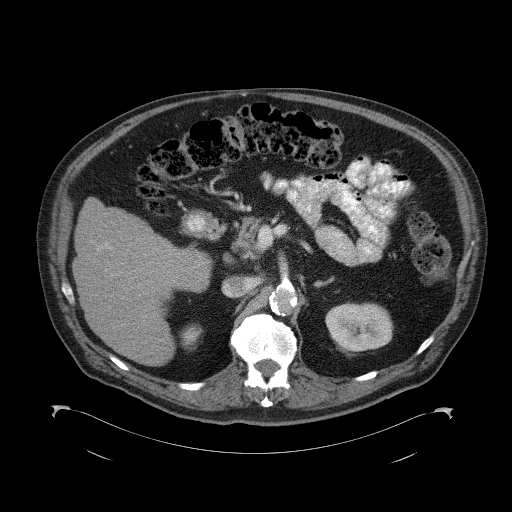
One axial slice (66 of 98, counting up from the lowest) of a contrast-enhanced abdominal CT acquired with 120 kVp, kernel B41f; each pixel is 0.965 mm and the slice is 5.00 mm thick.
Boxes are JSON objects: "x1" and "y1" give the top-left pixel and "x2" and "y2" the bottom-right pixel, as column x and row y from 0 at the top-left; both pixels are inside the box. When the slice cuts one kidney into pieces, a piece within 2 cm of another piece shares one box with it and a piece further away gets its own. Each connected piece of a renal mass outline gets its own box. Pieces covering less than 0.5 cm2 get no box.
Two boxes on this slice (two kidney boxes), listed by box centre from the image's left to its right. (1) Right kidney, box {"x1": 180, "y1": 324, "x2": 202, "y2": 350} (outlined area 408 px, about 3.8 cm2). (2) Left kidney, box {"x1": 325, "y1": 302, "x2": 393, "y2": 352} (outlined area 2,782 px, about 25.9 cm2). No renal mass is outlined on this slice.